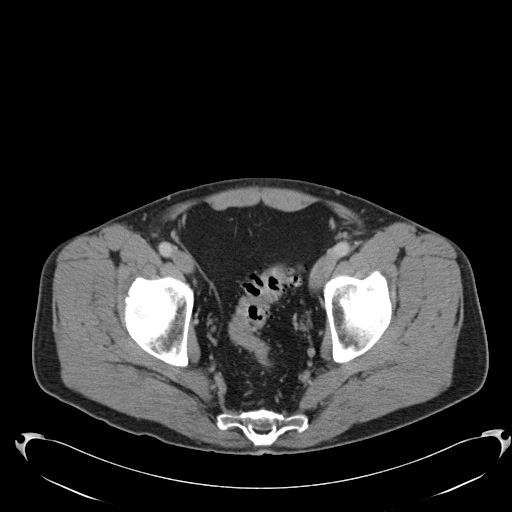
Contrast-enhanced abdominal CT, axial slice 25 of 103 (counted from the lowest slice); tube voltage 120 kVp, convolution kernel B31f; slices 5.00 mm thick, 0.801 mm per pixel.
No kidney and no renal mass is outlined on this slice; the outlines in this scan cover only the kidneys and the renal masses, so nothing is said about any other organ.